Abdominal CT with intravenous contrast, arterial phase, axial plane, 120 kVp, kernel I30f. Slice 216/602 from the bottom of the scan; thickness 1.00 mm; pixel size 0.799 mm.
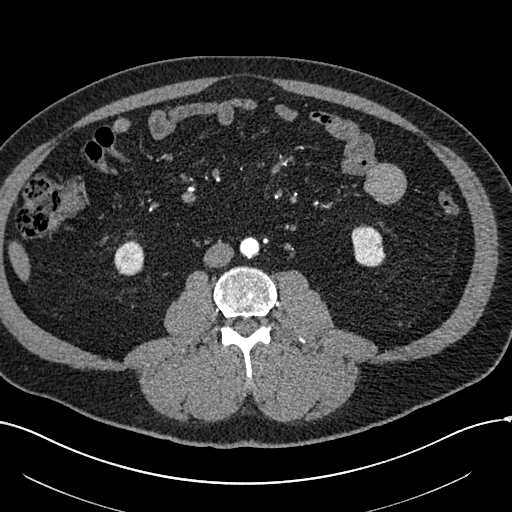
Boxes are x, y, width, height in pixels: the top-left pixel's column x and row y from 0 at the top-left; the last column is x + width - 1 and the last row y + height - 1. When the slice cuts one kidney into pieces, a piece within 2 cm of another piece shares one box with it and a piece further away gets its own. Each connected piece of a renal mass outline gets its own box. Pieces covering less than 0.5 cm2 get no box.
Two boxes on this slice (two kidney boxes), listed by box centre from the image's left to its right. (1) Right kidney, box x 114, y 240, width 31, height 36 (outlined area 871 px, about 5.6 cm2). (2) Box x 351, y 224, width 35, height 43: left kidney (outlined area 1,143 px, about 7.3 cm2). No renal mass outline on this slice.